Arterial-phase contrast-enhanced abdominal CT, axial slice 375 of 673 (counted from the lowest slice); tube voltage 140 kVp, convolution kernel I30f; slices 1.00 mm thick, 0.957 mm per pixel.
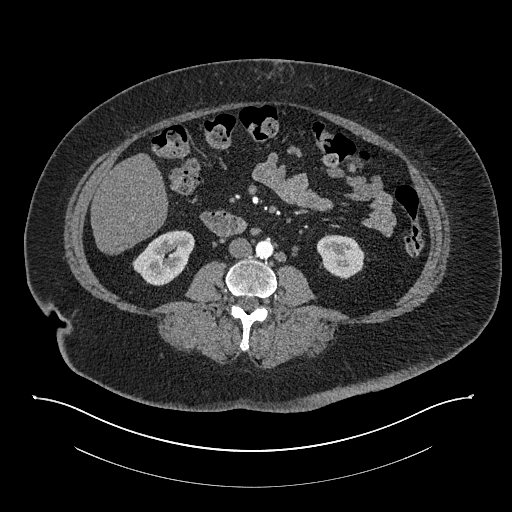
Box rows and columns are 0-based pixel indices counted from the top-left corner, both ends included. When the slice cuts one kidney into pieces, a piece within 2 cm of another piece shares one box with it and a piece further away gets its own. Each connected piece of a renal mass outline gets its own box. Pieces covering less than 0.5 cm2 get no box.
Boxed on this slice (two kidney boxes), listed by box centre from the image's left to its right: (1) Right kidney at rows 230–285, columns 132–194 (outlined area 2,333 px, about 21.4 cm2). (2) Left kidney at rows 234–278, columns 316–364 (outlined area 1,617 px, about 14.8 cm2). No renal mass outline on this slice.